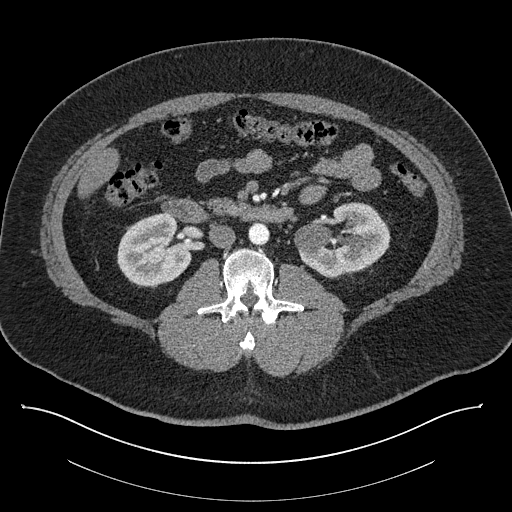
One axial slice (464 of 787, counting up from the lowest) of a contrast-enhanced abdominal CT acquired with 140 kVp, kernel I30f; each pixel is 0.910 mm and the slice is 1.00 mm thick.
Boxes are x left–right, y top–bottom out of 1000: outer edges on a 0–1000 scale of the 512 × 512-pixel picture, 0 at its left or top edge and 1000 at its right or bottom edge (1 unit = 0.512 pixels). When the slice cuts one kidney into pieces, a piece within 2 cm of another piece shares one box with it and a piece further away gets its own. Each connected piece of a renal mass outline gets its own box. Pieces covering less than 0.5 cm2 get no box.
Boxed on this slice (two kidney boxes), listed by box centre from the image's left to its right: (1) Right kidney at x 229–377, y 414–564 out of 1000 (outlined area 4,202 px, about 34.8 cm2). (2) Box x 574–764, y 395–545 out of 1000: left kidney (outlined area 5,165 px, about 42.8 cm2). This slice carries no renal mass outline.